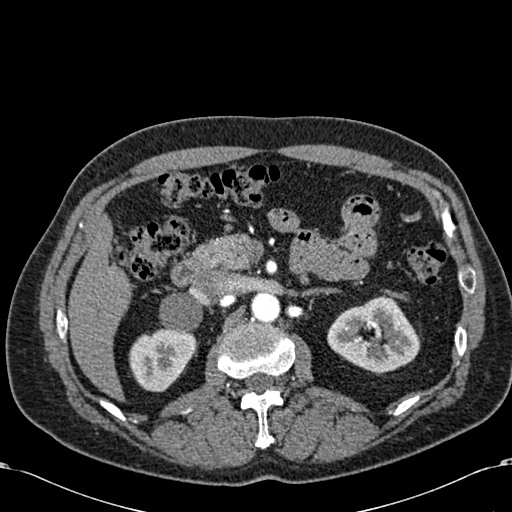
One axial slice (390 of 581, counting up from the lowest) of an arterial-phase abdominal CT acquired with 120 kVp, kernel B30f; each pixel is 0.713 mm and the slice is 1.00 mm thick.
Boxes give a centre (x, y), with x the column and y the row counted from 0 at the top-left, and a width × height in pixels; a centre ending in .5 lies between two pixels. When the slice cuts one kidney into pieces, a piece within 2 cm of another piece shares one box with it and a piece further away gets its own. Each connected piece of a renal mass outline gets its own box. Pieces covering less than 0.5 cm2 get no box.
Two boxes on this slice (two kidney boxes), listed by box centre from the image's left to its right. (1) Right kidney in a box with centre (162, 359.5), 69 × 66 pixels (outlined area 3,207 px, about 16.3 cm2). (2) Left kidney in a box with centre (373.5, 334), 94 × 79 pixels (outlined area 4,974 px, about 25.3 cm2). This slice carries no renal mass outline.